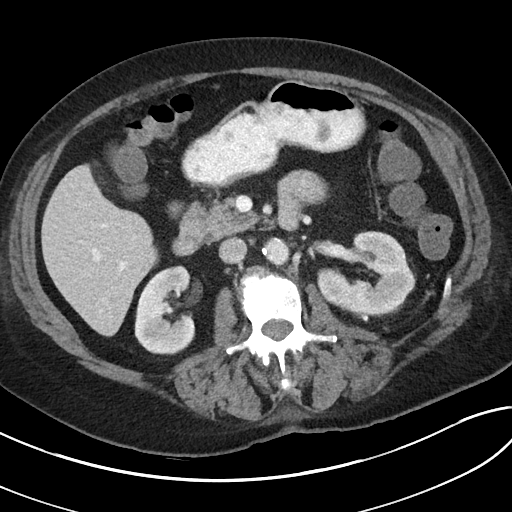
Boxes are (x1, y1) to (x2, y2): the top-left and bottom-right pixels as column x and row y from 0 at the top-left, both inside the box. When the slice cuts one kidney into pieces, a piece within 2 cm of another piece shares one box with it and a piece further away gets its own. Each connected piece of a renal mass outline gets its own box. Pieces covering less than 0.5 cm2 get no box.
This is axial slice 57 of 80 (slice 1 is the lowest) of an abdominal CT with contrast; each pixel is 0.703 mm and the slice is 5.00 mm thick. Two kidney boxes on this slice; by box centre, from the image's left to its right: (1) Right kidney from (134, 265) to (195, 354) (outlined area 4,231 px, about 20.9 cm2). (2) Left kidney from (317, 231) to (415, 316) (outlined area 5,612 px, about 27.7 cm2). No renal mass is outlined on this slice.
Tube voltage 100 kVp; convolution kernel I40f.